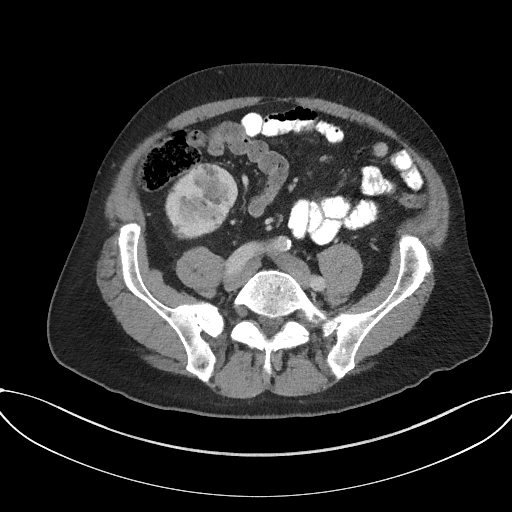
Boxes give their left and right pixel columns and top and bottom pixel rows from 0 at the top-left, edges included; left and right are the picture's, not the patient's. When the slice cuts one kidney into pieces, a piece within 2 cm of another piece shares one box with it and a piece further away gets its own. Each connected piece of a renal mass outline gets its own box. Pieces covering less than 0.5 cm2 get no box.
This is axial slice 64 of 227 (slice 1 is the lowest) of an arterial-phase abdominal CT with contrast; each pixel is 0.816 mm and the slice is 3.00 mm thick. Box with left 165, top 163, right 237, bottom 239: right kidney (outlined area 4,066 px, about 27.1 cm2). No renal mass outline on this slice.
Tube voltage 120 kVp; convolution kernel I31f.